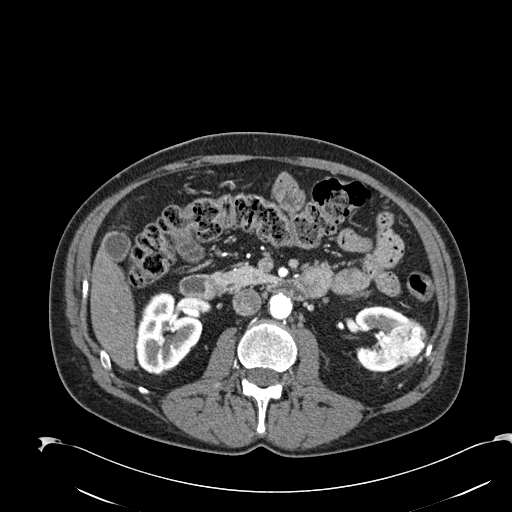
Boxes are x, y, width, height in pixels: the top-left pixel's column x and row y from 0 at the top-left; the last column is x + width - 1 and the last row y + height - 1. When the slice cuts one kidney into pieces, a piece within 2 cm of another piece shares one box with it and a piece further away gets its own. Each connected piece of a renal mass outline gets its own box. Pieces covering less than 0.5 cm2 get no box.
Arterial-phase contrast-enhanced abdominal CT, axial slice 113 of 274 (counted from the lowest slice); 2.00 mm thick, 0.809 mm per pixel. Three boxes on this slice (two kidney boxes and one renal mass box), listed by box centre from the image's left to its right. (1) Right kidney, box x 135, y 292, width 68, height 84 (outlined area 3,955 px, about 25.9 cm2). (2) Left kidney, box x 355, y 306, width 53, height 67 (outlined area 1,900 px, about 12.4 cm2). (3) Left renal mass at x 379, y 318, width 49, height 48 (outlined area 1,622 px, about 10.6 cm2).
Scan settings: 120 kVp, B30f reconstruction kernel.